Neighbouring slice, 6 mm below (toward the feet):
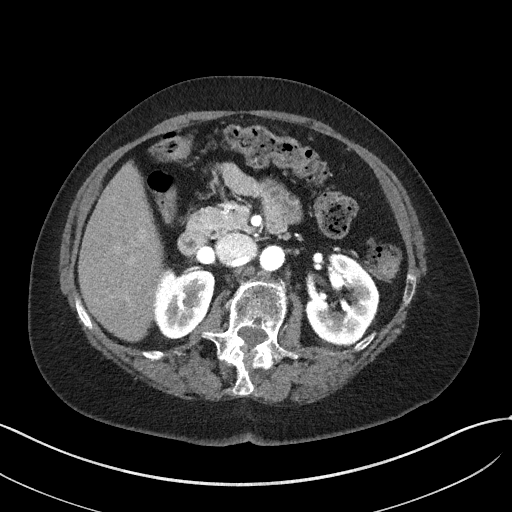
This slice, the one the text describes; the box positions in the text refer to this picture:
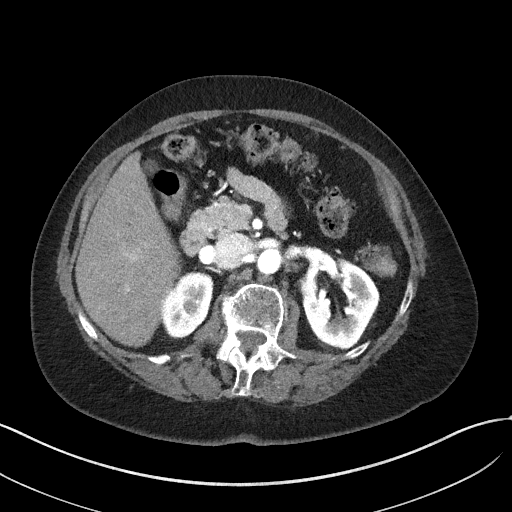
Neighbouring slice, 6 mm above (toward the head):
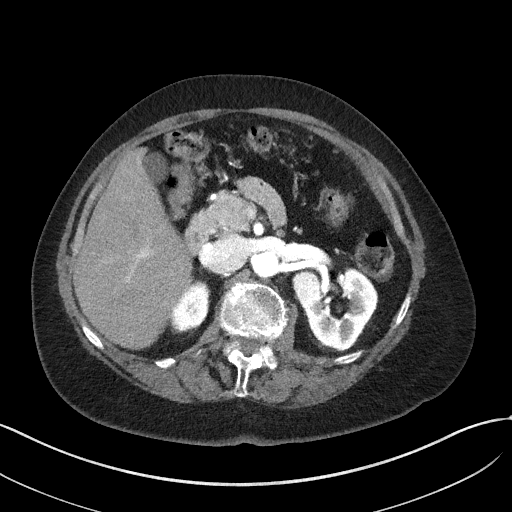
Arterial-phase contrast-enhanced abdominal CT, axial slice 31 of 50 (counted from the lowest slice); tube voltage 100 kVp, convolution kernel I41f; slices 3.00 mm thick, 0.758 mm per pixel.
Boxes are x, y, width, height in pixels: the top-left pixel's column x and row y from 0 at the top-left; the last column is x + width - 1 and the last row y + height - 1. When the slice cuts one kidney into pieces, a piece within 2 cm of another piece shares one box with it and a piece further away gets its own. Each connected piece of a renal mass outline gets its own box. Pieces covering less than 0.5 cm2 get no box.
Three boxes on this slice (two kidney boxes and one renal mass box), listed by box centre from the image's left to its right. (1) Box x 161, y 270, width 53, height 69: right kidney (outlined area 2,557 px, about 14.7 cm2). (2) Left renal mass, box x 302, y 278, width 15, height 17 (outlined area 174 px, about 1.0 cm2). (3) Left kidney, box x 302, y 261, width 78, height 89 (outlined area 4,409 px, about 25.3 cm2). This slice is near the end of the left renal mass toward the feet, so the slices 6 mm below and 6 mm above it are shown as well; the boxes refer to this slice only.